Axial slice 32 of 55 of a contrast-enhanced abdominal CT (slice 1 is the lowest), 120 kVp, kernel B30f; 5.00 mm slice thickness and 0.908 mm pixels.
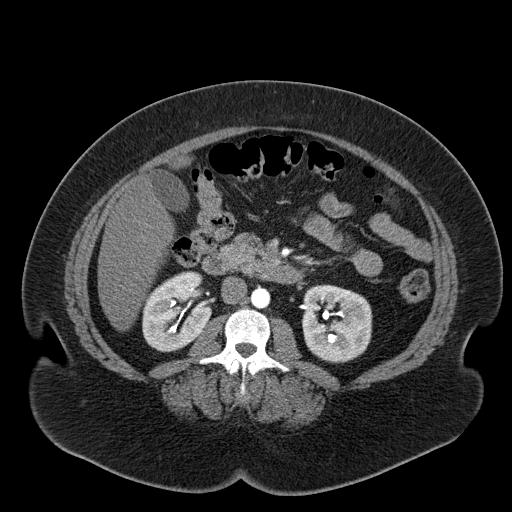
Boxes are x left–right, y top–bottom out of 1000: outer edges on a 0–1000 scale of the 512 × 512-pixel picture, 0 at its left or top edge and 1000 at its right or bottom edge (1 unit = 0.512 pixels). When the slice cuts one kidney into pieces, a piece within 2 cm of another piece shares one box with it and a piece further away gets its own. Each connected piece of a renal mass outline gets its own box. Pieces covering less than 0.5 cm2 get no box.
Boxed on this slice (two kidney boxes), listed by box centre from the image's left to its right: (1) Right kidney at x 277–416, y 529–689 out of 1000 (outlined area 4,176 px, about 34.4 cm2). (2) Left kidney, box x 588–729, y 555–711 out of 1000 (outlined area 4,513 px, about 37.2 cm2). No renal mass outline on this slice.